One axial slice (18 of 92, counting up from the lowest) of a contrast-enhanced abdominal CT acquired with 100 kVp, kernel I41f; each pixel is 0.684 mm and the slice is 3.00 mm thick.
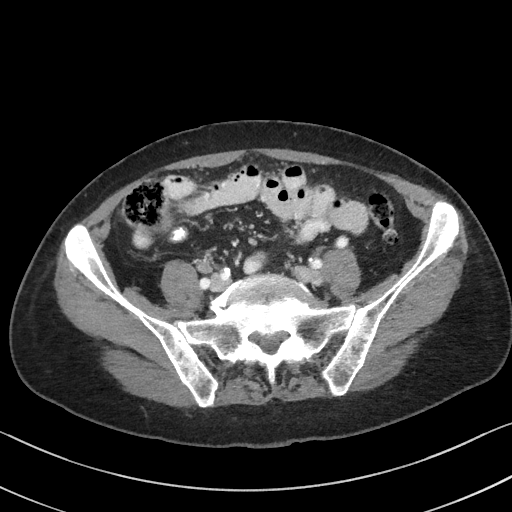
Outside the outlined region: no kidney outline and no renal mass outline on this slice. The scan's outlines cover only kidneys and renal masses; no other organ is outlined.